Abdominal CT with intravenous contrast, arterial phase, axial plane, 120 kVp, kernel I30f. Slice 344/735 from the bottom of the scan; thickness 1.00 mm; pixel size 0.789 mm.
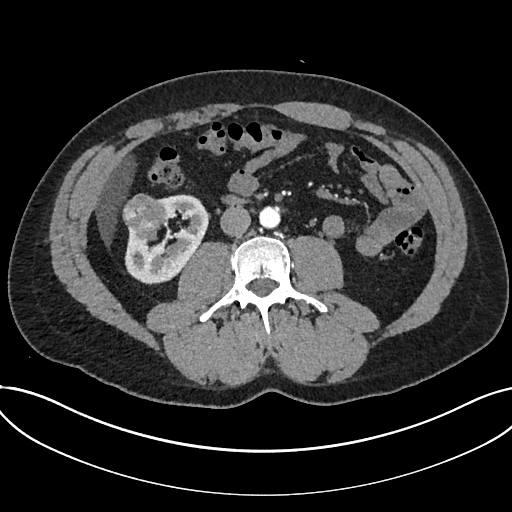
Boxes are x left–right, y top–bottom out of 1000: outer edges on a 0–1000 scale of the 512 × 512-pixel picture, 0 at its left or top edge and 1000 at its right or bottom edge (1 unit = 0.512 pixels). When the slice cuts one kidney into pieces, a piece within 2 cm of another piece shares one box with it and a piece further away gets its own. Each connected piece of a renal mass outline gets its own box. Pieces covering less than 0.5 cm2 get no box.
One kidney box and one renal mass box on this slice; by box centre, from the image's left to its right: (1) Renal mass at x 238–330, y 377–471 out of 1000 (outlined area 1,577 px, about 9.8 cm2). (2) Kidney, box x 242–408, y 379–557 out of 1000 (outlined area 4,214 px, about 26.2 cm2).